Axial slice 56 of 140 of a contrast-enhanced abdominal CT in the arterial phase (slice 1 is the lowest), 120 kVp, kernel B31f; 5.00 mm slice thickness and 0.754 mm pixels.
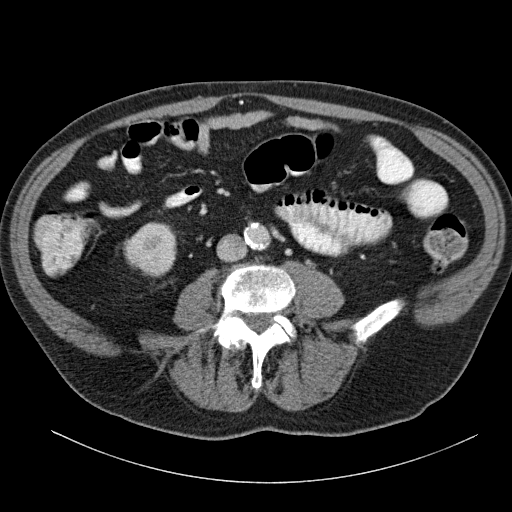
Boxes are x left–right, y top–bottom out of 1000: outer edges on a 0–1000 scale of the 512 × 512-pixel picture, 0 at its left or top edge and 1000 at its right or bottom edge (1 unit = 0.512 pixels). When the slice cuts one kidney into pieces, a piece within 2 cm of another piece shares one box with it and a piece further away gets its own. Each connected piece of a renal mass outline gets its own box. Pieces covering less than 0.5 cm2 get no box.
Right kidney, box x 238–346, y 434–543 out of 1000 (outlined area 2,285 px, about 13.0 cm2). No renal mass outline on this slice.